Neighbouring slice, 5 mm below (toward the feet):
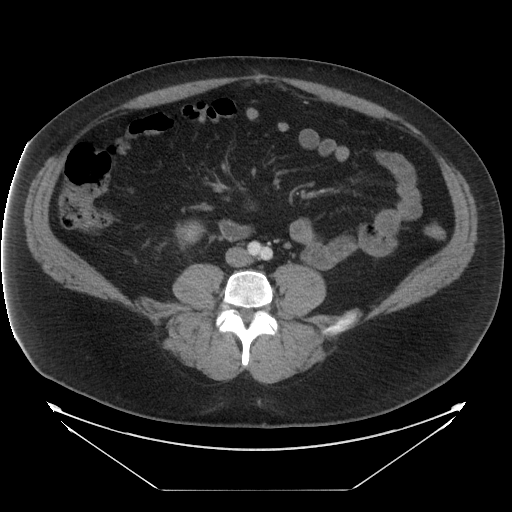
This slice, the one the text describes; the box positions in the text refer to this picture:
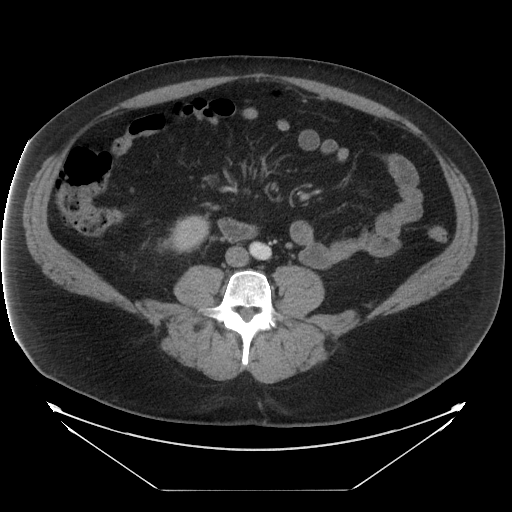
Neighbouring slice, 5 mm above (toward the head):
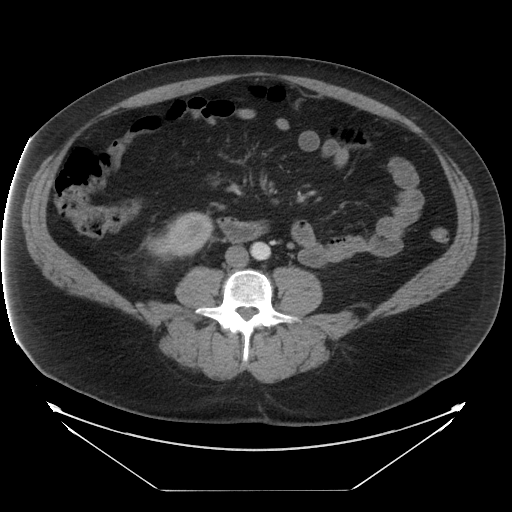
Contrast-enhanced abdominal CT, axial slice 3 of 29 (counted from the lowest slice); tube voltage 120 kVp, convolution kernel STANDARD; slices 5.00 mm thick, 0.977 mm per pixel.
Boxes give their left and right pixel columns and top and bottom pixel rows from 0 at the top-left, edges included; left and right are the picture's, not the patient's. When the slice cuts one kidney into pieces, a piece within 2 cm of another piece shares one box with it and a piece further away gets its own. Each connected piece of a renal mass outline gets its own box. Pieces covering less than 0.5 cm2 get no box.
Two boxes on this slice (one kidney box and one renal mass box), listed by box centre from the image's left to its right. (1) Box with left 158, top 233, right 178, bottom 251: right renal mass (outlined area 243 px, about 2.3 cm2). (2) Box with left 172, top 215, right 209, bottom 253: right kidney (outlined area 1,025 px, about 9.8 cm2). This slice is near the end of the right renal mass toward the feet, so the slices 5 mm below and 5 mm above it are shown as well; the boxes refer to this slice only.